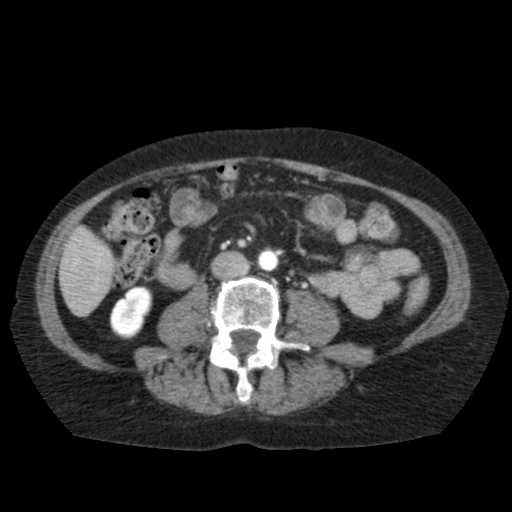
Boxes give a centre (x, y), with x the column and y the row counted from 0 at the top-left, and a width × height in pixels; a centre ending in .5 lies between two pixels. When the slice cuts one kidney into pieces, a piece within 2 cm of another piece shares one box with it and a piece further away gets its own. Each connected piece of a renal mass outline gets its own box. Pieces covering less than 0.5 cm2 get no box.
This is axial slice 48 of 79 (slice 1 is the lowest) of an arterial-phase abdominal CT with contrast; each pixel is 0.686 mm and the slice is 5.00 mm thick. Right kidney, box centre (130.5, 313), 44 × 53 pixels (outlined area 1,616 px, about 7.6 cm2). No renal mass outline on this slice.
Acquired at 120 kVp and reconstructed with the FC11 kernel.